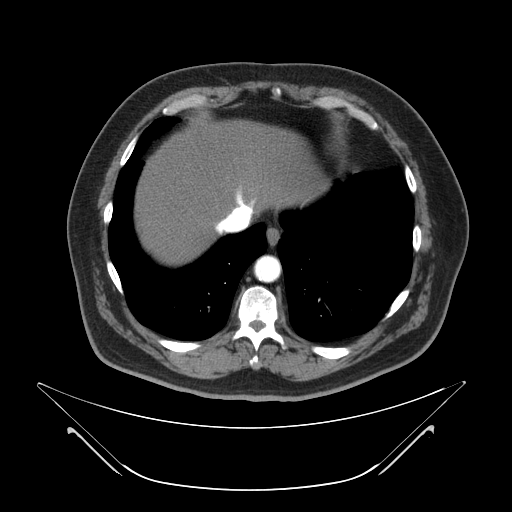
One axial slice (55 of 64, counting up from the lowest) of a contrast-enhanced abdominal CT acquired with 120 kVp, kernel B; each pixel is 0.977 mm and the slice is 4.00 mm thick.
Neither a kidney nor a renal mass is outlined here. Only kidneys and renal masses are outlined anywhere in this scan; other structures are never outlined.